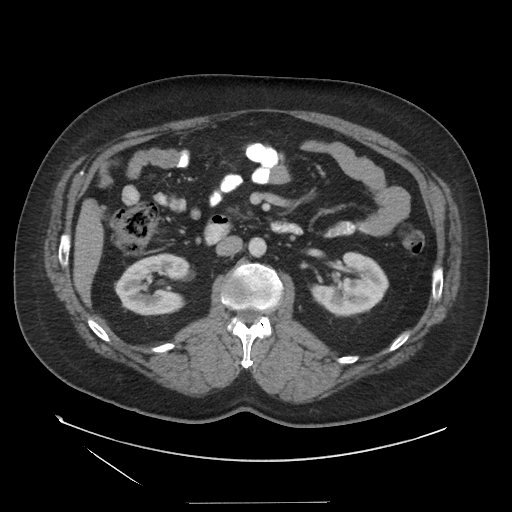
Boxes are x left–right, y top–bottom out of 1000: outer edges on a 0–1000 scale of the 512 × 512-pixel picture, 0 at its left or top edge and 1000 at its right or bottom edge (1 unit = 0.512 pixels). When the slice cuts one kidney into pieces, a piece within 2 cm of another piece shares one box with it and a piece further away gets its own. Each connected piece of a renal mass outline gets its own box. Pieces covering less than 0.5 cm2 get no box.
Slice 79/129 of a contrast-enhanced abdominal CT in the arterial phase, counting up from the lowest; pixel size 0.938 mm, slice thickness 3.75 mm. Boxed on this slice (two kidney boxes), listed by box centre from the image's left to its right: (1) Box x 225–373, y 494–617 out of 1000: right kidney (outlined area 3,480 px, about 30.6 cm2). (2) Box x 607–760, y 490–619 out of 1000: left kidney (outlined area 3,459 px, about 30.4 cm2). No renal mass is outlined on this slice.
Acquired at 140 kVp and reconstructed with the STANDARD kernel.